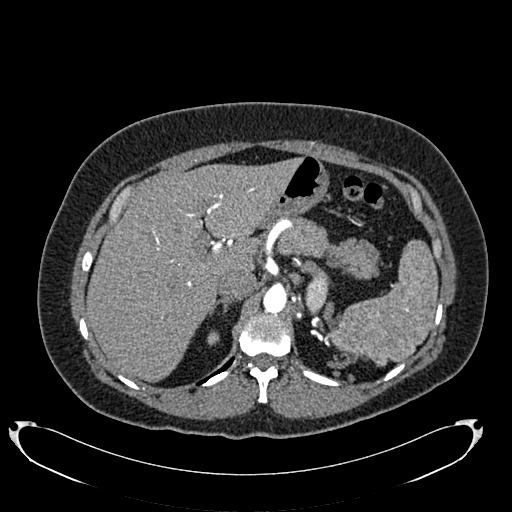
Abdominal CT with intravenous contrast, arterial phase, axial plane, 120 kVp, kernel B20f. Slice 541/634 from the bottom of the scan; thickness 1.00 mm; pixel size 0.838 mm.
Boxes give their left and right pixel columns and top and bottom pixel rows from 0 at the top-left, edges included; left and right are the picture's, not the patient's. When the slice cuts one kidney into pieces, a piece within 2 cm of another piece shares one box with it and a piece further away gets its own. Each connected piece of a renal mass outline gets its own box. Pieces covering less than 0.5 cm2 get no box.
Two boxes on this slice (two kidney boxes), listed by box centre from the image's left to its right. (1) Right kidney, the box with left 207, top 331, right 219, bottom 345 (outlined area 140 px, about 1.0 cm2). (2) Left kidney, the box with left 305, top 275, right 328, bottom 314 (outlined area 684 px, about 4.8 cm2). No renal mass is outlined on this slice.